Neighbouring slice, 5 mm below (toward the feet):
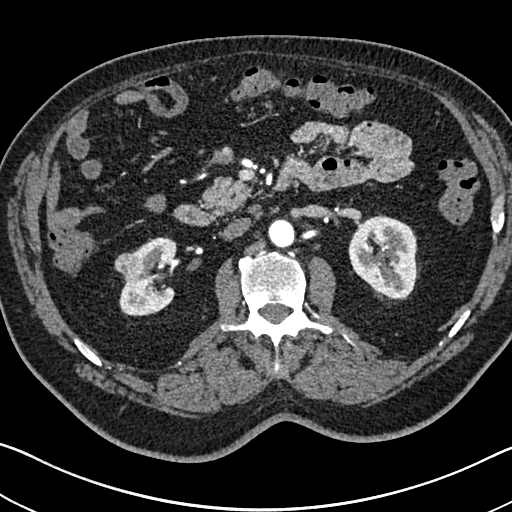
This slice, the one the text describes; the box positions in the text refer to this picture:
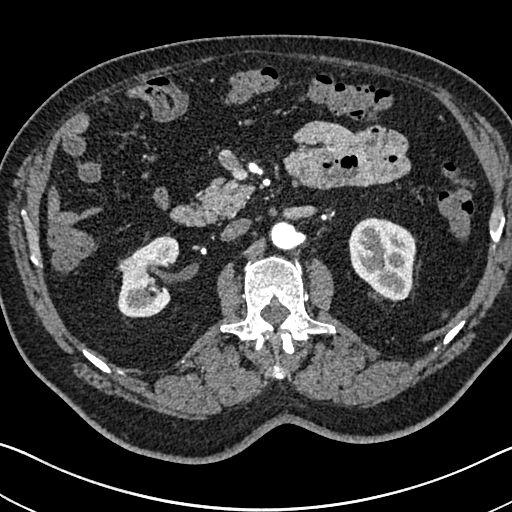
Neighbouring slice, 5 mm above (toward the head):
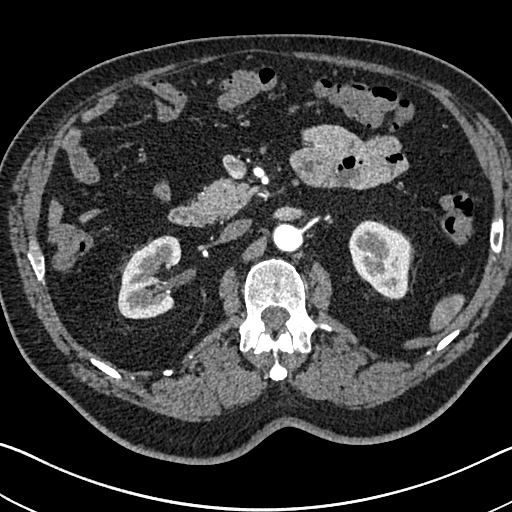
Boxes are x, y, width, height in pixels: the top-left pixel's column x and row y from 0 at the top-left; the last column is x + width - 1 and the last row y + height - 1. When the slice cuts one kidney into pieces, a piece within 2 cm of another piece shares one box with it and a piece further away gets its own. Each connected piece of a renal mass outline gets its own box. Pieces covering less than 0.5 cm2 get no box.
Slice 429/705 of a contrast-enhanced abdominal CT in the arterial phase, counting up from the lowest; pixel size 0.703 mm, slice thickness 1.00 mm. Three boxes on this slice (two kidney boxes and one renal mass box), listed by box centre from the image's left to its right. (1) Right renal mass, box x 118, y 256, width 19, height 17 (outlined area 228 px, about 1.1 cm2). (2) Box x 117, y 233, width 63, height 85: right kidney (outlined area 3,421 px, about 16.9 cm2). (3) Box x 348, y 217, width 69, height 85: left kidney (outlined area 4,335 px, about 21.4 cm2). This slice lies near the end of the right renal mass toward the head; the slices 5 mm below and 5 mm above it are shown too, and the boxes mark positions on this slice only.
Tube voltage 120 kVp; convolution kernel I30f.